Abdominal CT with intravenous contrast, arterial phase, axial plane, 120 kVp, kernel I30f. Slice 158/261 from the bottom of the scan; thickness 2.00 mm; pixel size 0.939 mm.
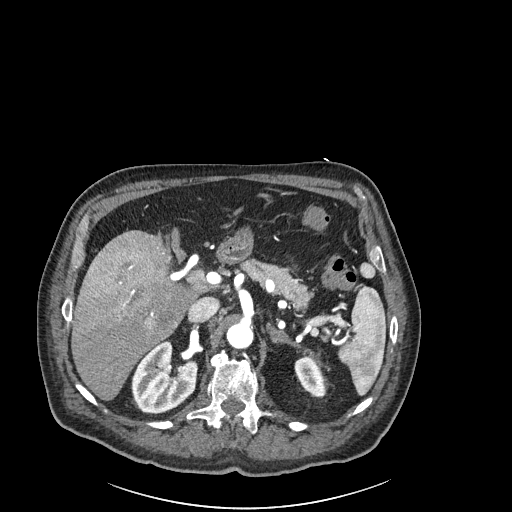
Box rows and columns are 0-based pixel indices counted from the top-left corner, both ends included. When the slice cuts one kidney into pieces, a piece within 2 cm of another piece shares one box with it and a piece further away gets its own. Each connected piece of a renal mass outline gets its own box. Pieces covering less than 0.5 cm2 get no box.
Two boxes on this slice (two kidney boxes), listed by box centre from the image's left to its right. (1) Right kidney at rows 339–414, columns 131–198 (outlined area 3,565 px, about 31.5 cm2). (2) Box rows 356–395, columns 294–325: left kidney (outlined area 861 px, about 7.6 cm2). No renal mass outline on this slice.